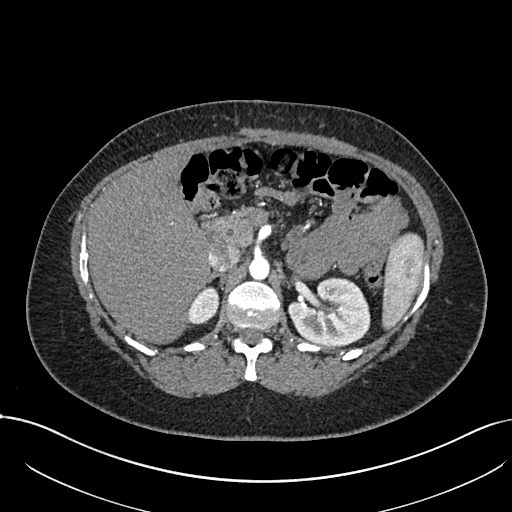
Abdominal CT with intravenous contrast, arterial phase, axial plane, 120 kVp, kernel I30f. Slice 488/738 from the bottom of the scan; thickness 1.00 mm; pixel size 0.789 mm.
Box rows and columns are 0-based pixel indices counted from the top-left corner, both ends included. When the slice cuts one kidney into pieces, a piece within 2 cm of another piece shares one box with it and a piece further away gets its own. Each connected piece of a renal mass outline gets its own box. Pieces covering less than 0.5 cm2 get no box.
Two kidney boxes on this slice; by box centre, from the image's left to its right: (1) Box rows 286–324, columns 186–219: right kidney (outlined area 933 px, about 5.8 cm2). (2) Left kidney at rows 277–345, columns 288–370 (outlined area 4,290 px, about 26.7 cm2). This slice carries no renal mass outline.